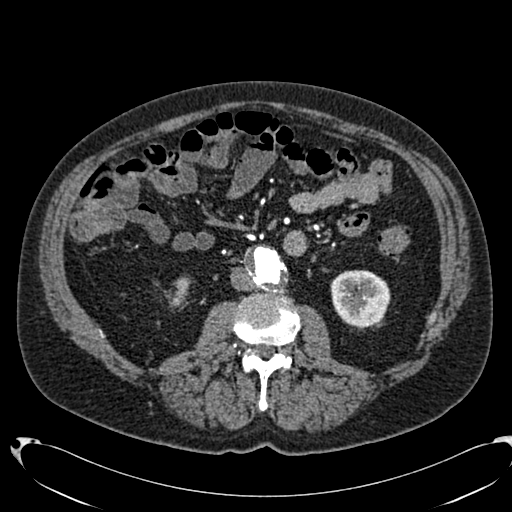
One axial slice (351 of 553, counting up from the lowest) of an arterial-phase abdominal CT acquired with 120 kVp, kernel B20f; each pixel is 0.773 mm and the slice is 1.00 mm thick.
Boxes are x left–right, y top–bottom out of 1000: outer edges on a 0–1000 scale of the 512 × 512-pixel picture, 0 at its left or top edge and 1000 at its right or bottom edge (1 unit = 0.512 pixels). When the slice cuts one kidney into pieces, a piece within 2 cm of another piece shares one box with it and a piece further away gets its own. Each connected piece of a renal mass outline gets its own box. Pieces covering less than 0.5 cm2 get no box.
Two kidney boxes on this slice; by box centre, from the image's left to its right: (1) Right kidney at x 328–369, y 543–602 out of 1000 (outlined area 372 px, about 2.2 cm2). (2) Box x 645–764, y 527–641 out of 1000: left kidney (outlined area 2,776 px, about 16.6 cm2). This slice carries no renal mass outline.